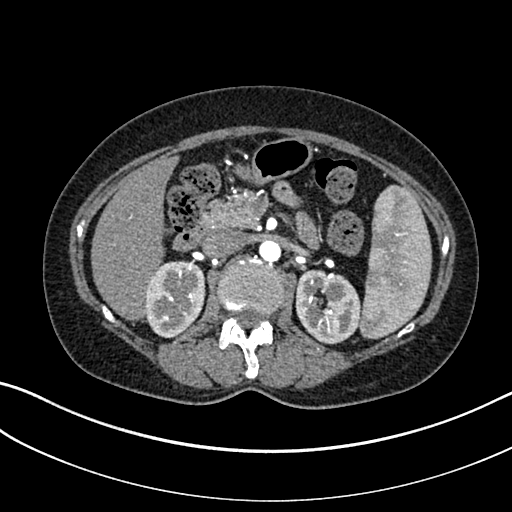
Abdominal CT with intravenous contrast, arterial phase, axial plane, 100 kVp, kernel I30f. Slice 189/325 from the bottom of the scan; thickness 1.00 mm; pixel size 0.703 mm.
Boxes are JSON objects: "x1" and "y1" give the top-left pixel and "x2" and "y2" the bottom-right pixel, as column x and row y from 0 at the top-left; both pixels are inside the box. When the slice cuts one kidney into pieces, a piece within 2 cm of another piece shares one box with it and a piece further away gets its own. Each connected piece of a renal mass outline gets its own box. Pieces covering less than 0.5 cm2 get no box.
Boxed on this slice (two kidney boxes), listed by box centre from the image's left to its right: (1) Box {"x1": 145, "y1": 260, "x2": 206, "y2": 338}: right kidney (outlined area 3,719 px, about 18.4 cm2). (2) Box {"x1": 295, "y1": 270, "x2": 361, "y2": 344}: left kidney (outlined area 3,780 px, about 18.7 cm2).